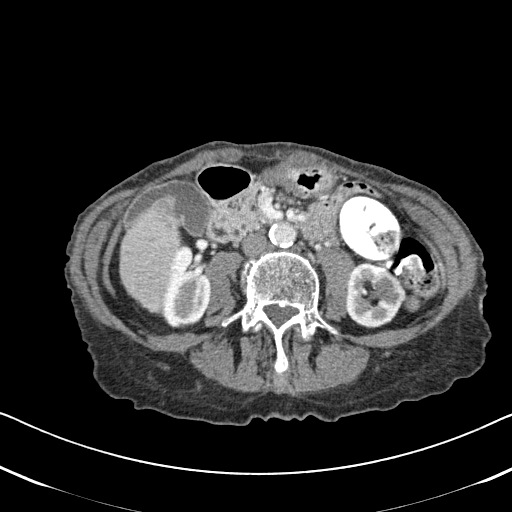
Axial slice 261 of 620 of a contrast-enhanced abdominal CT in the arterial phase (slice 1 is the lowest), 120 kVp, kernel B31f; 2.00 mm slice thickness and 0.637 mm pixels.
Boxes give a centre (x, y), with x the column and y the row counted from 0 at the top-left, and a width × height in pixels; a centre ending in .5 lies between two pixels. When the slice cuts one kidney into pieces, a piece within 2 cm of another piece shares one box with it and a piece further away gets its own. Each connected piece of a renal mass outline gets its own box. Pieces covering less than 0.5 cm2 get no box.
Boxed on this slice (two kidney boxes and one renal mass box), listed by box centre from the image's left to its right: (1) Box centre (186.5, 291), 50 × 73 pixels: right kidney (outlined area 2,653 px, about 10.8 cm2). (2) Left kidney in a box with centre (374.5, 295), 62 × 67 pixels (outlined area 3,039 px, about 12.3 cm2). (3) Box centre (412, 302.5), 21 × 18 pixels: left renal mass (outlined area 261 px, about 1.1 cm2).